One axial slice (283 of 541, counting up from the lowest) of an arterial-phase abdominal CT acquired with 120 kVp, kernel I30f; each pixel is 0.834 mm and the slice is 1.00 mm thick.
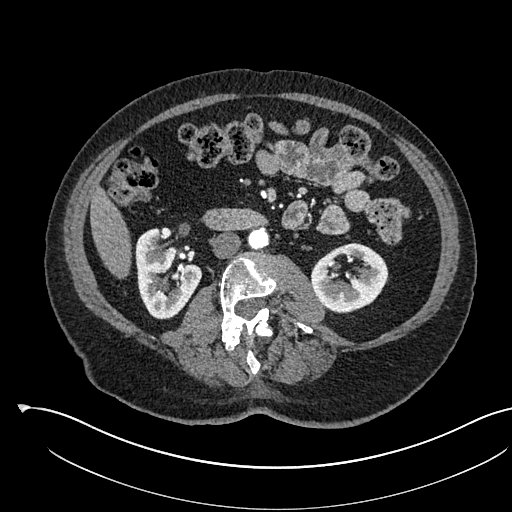
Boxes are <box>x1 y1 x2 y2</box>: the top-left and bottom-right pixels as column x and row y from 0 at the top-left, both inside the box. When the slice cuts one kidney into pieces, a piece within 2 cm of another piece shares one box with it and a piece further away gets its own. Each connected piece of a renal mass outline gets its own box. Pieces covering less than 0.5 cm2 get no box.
Boxed on this slice (two kidney boxes), listed by box centre from the image's left to its right: (1) Right kidney: <box>135 228 202 319</box> (outlined area 4,095 px, about 28.5 cm2). (2) At <box>311 242 388 313</box>: left kidney (outlined area 3,850 px, about 26.8 cm2). This slice carries no renal mass outline.